Abdominal CT with intravenous contrast, arterial phase, axial plane, 120 kVp, kernel B30f. Slice 452/723 from the bottom of the scan; thickness 1.00 mm; pixel size 0.895 mm.
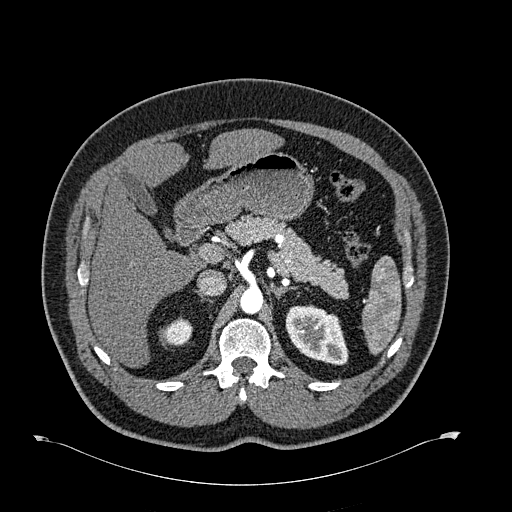
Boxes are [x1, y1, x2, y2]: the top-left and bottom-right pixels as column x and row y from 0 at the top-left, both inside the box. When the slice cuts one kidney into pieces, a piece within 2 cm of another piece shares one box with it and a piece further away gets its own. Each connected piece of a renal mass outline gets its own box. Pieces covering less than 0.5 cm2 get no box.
Two kidney boxes on this slice; by box centre, from the image's left to its right: (1) Box [163, 318, 192, 345]: right kidney (outlined area 607 px, about 4.9 cm2). (2) Left kidney, box [285, 304, 348, 365] (outlined area 2,803 px, about 22.4 cm2). No renal mass outline on this slice.